Arterial-phase contrast-enhanced abdominal CT, axial slice 267 of 541 (counted from the lowest slice); tube voltage 120 kVp, convolution kernel I30f; slices 1.00 mm thick, 0.834 mm per pixel.
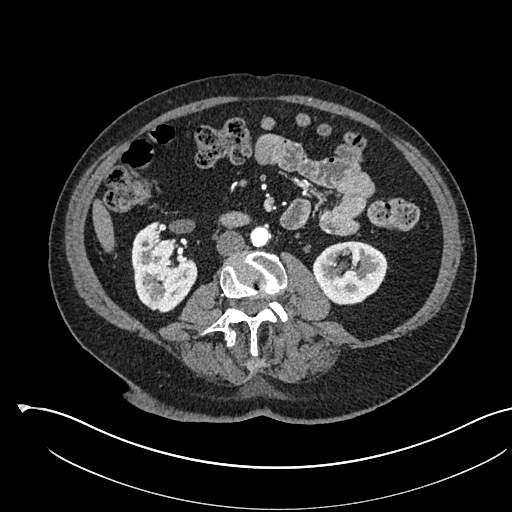
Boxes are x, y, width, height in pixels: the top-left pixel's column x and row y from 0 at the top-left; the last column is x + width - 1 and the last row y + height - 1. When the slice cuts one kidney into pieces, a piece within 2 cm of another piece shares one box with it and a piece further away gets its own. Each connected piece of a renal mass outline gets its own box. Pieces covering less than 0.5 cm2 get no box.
Two kidney boxes on this slice; by box centre, from the image's left to its right: (1) Right kidney at x 131, y 222, width 67, height 91 (outlined area 4,139 px, about 28.8 cm2). (2) Left kidney, box x 312, y 240, width 77, height 66 (outlined area 3,639 px, about 25.3 cm2). No renal mass outline on this slice.